Abdominal CT with intravenous contrast, arterial phase, axial plane, 120 kVp, kernel B30f. Slice 260/512 from the bottom of the scan; thickness 1.00 mm; pixel size 0.771 mm.
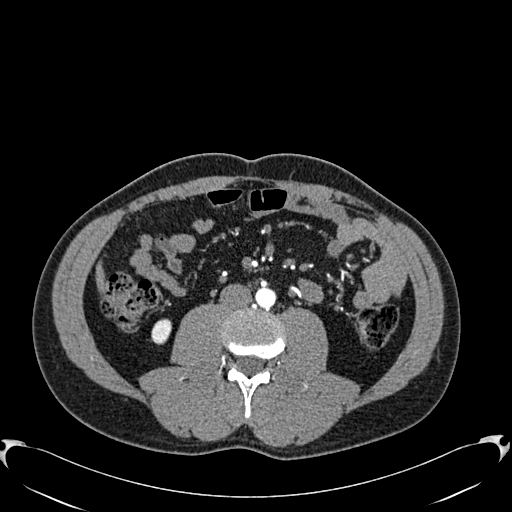
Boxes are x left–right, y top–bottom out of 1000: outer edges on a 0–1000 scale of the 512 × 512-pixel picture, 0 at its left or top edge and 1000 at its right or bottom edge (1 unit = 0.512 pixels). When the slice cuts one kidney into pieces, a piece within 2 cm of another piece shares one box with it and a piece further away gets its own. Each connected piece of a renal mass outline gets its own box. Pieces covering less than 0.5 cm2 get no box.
Box x 295–336, y 621–674 out of 1000: right kidney (outlined area 433 px, about 2.6 cm2). This slice carries no renal mass outline.